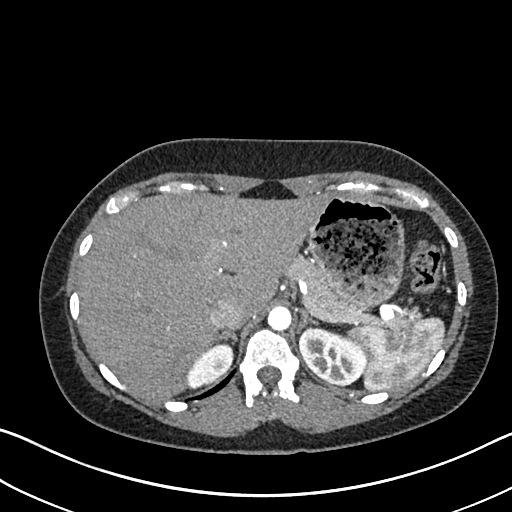
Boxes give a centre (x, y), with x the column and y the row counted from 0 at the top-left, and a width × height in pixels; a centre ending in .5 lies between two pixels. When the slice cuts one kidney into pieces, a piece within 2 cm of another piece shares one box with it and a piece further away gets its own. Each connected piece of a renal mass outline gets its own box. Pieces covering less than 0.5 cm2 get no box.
Arterial-phase contrast-enhanced abdominal CT, axial slice 534 of 612 (counted from the lowest slice); 1.00 mm thick, 0.703 mm per pixel. Two kidney boxes on this slice; by box centre, from the image's left to its right: (1) Box centre (209, 365), 49 × 47 pixels: right kidney (outlined area 1,393 px, about 6.9 cm2). (2) Left kidney, box centre (332.5, 354.5), 68 × 60 pixels (outlined area 2,874 px, about 14.2 cm2). This slice carries no renal mass outline.
Tube voltage 120 kVp; convolution kernel I30f.